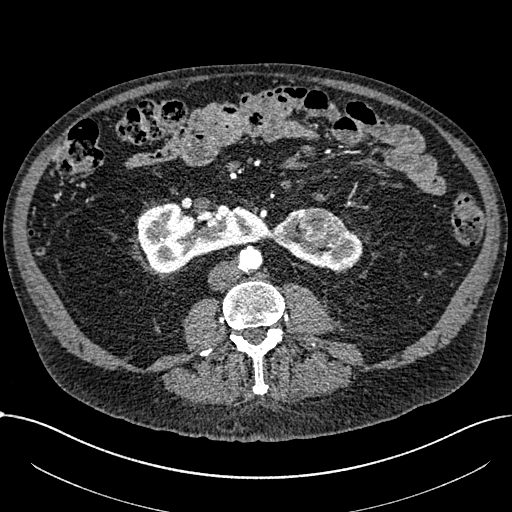
Abdominal CT with intravenous contrast, arterial phase, axial plane, 100 kVp, kernel I30f. Slice 311/1059 from the bottom of the scan; thickness 1.00 mm; pixel size 0.811 mm.
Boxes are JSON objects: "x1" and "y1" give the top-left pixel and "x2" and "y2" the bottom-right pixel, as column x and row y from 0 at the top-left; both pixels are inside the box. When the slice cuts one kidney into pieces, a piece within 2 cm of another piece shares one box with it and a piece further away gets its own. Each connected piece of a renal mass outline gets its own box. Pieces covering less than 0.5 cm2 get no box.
Two kidney boxes and one renal mass box on this slice; by box centre, from the image's left to its right: (1) Right part of the midline-crossing kidney, box {"x1": 137, "y1": 201, "x2": 269, "y2": 272} (outlined area 6,247 px, about 41.0 cm2). (2) Left part of the midline-crossing kidney at {"x1": 270, "y1": 207, "x2": 362, "y2": 271} (outlined area 2,695 px, about 17.7 cm2). (3) Renal mass at {"x1": 297, "y1": 208, "x2": 343, "y2": 244} (outlined area 1,277 px, about 8.4 cm2).